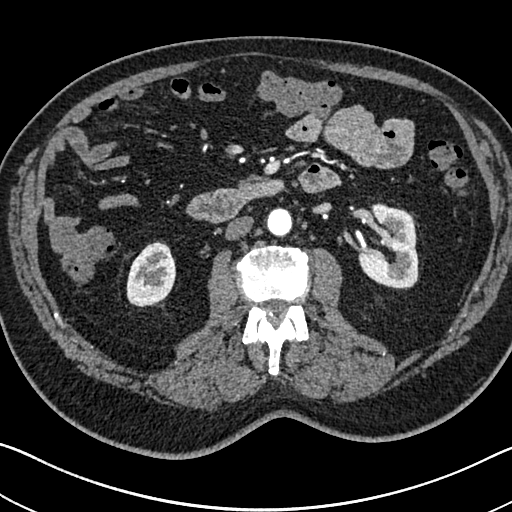
Arterial-phase contrast-enhanced abdominal CT, axial slice 386 of 705 (counted from the lowest slice); tube voltage 120 kVp, convolution kernel I30f; slices 1.00 mm thick, 0.703 mm per pixel.
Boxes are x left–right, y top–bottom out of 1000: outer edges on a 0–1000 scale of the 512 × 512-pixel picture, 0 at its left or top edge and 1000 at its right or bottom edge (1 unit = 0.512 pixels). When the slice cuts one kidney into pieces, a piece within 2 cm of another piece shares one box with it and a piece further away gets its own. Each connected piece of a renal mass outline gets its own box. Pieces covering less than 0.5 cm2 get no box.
Two boxes on this slice (two kidney boxes), listed by box centre from the image's left to its right. (1) Right kidney at x 246–346, y 471–602 out of 1000 (outlined area 2,514 px, about 12.4 cm2). (2) Left kidney, box x 697–818, y 396–566 out of 1000 (outlined area 3,890 px, about 19.2 cm2). No renal mass is outlined on this slice.